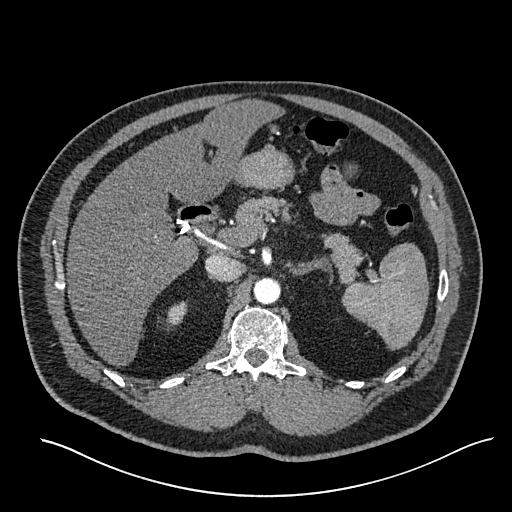
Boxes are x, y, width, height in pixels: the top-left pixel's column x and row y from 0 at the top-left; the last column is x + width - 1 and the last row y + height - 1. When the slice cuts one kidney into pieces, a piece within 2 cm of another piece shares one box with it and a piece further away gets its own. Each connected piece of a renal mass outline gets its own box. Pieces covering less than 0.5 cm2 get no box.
This is axial slice 408 of 527 (slice 1 is the lowest) of an arterial-phase abdominal CT with contrast; each pixel is 0.859 mm and the slice is 1.00 mm thick. Box x 166, y 301, width 22, height 25: right kidney (outlined area 378 px, about 2.8 cm2). No renal mass is outlined on this slice.
Acquired at 120 kVp and reconstructed with the I30f kernel.